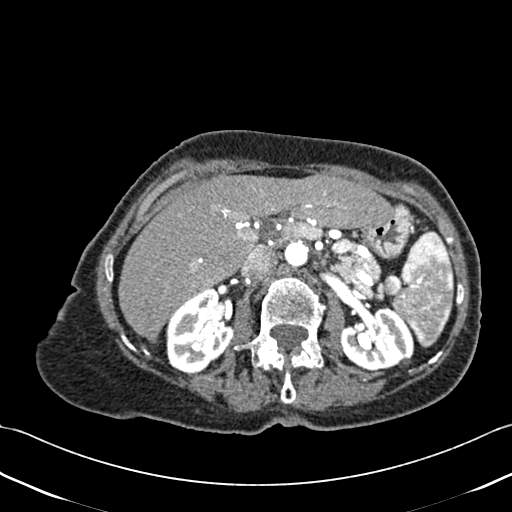
One axial slice (271 of 433, counting up from the lowest) of a contrast-enhanced abdominal CT acquired with 120 kVp, kernel B30f; each pixel is 0.672 mm and the slice is 1.00 mm thick.
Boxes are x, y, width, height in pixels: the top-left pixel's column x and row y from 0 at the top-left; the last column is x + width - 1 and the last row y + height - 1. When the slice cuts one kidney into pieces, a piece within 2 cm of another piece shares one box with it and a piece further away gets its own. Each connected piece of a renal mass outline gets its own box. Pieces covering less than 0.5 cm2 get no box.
Boxed on this slice (two kidney boxes), listed by box centre from the image's left to its right: (1) Right kidney at x 166, y 288, width 68, height 86 (outlined area 4,151 px, about 18.7 cm2). (2) Left kidney, box x 340, y 307, width 75, height 65 (outlined area 3,559 px, about 16.1 cm2).